One axial slice (114 of 137, counting up from the lowest) of a contrast-enhanced abdominal CT acquired with 120 kVp, kernel FC52; each pixel is 0.741 mm and the slice is 3.00 mm thick.
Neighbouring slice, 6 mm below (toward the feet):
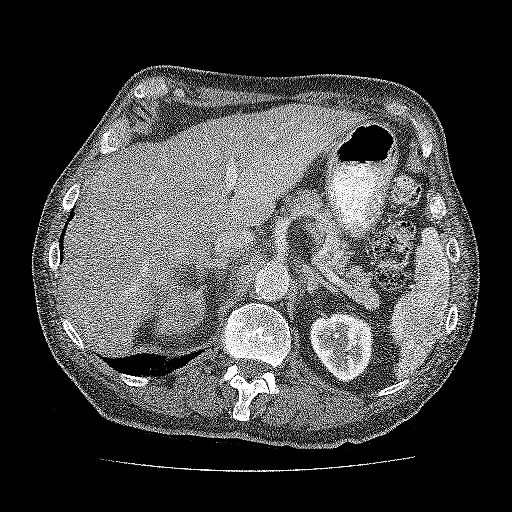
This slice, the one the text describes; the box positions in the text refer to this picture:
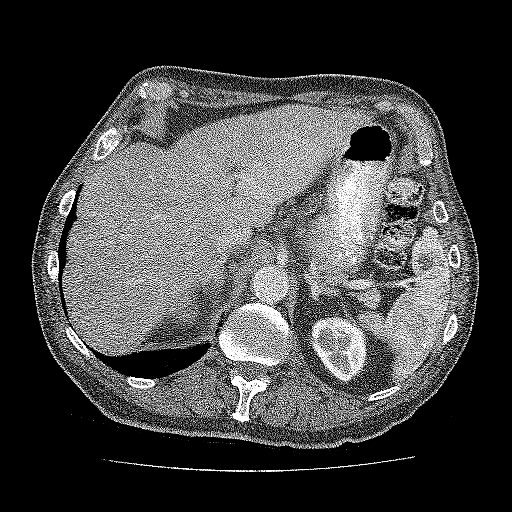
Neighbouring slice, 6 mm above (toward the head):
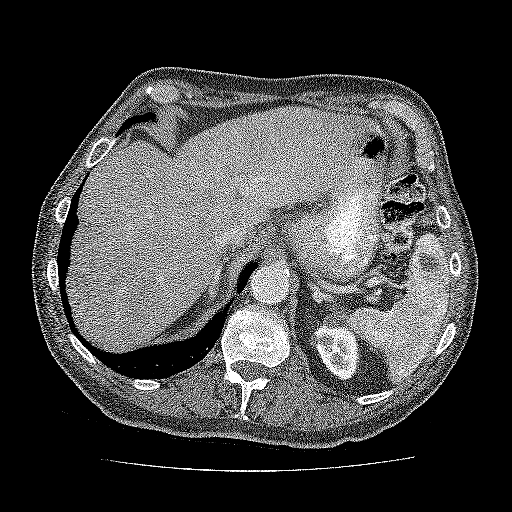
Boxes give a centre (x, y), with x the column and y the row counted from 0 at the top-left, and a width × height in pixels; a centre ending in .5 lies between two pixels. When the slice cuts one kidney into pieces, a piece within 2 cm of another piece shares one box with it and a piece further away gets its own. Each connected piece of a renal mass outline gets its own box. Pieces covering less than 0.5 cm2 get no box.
One kidney box and one renal mass box on this slice; by box centre, from the image's left to its right: (1) Box centre (184.5, 311.5), 28 × 24 pixels: renal mass (outlined area 491 px, about 2.7 cm2); here it is more than 1 cm from any kidney outline, though on another slice the same outlined renal mass lies within 1 cm of the kidney. (2) Box centre (338.5, 348.5), 58 × 68 pixels: kidney (outlined area 2,893 px, about 15.9 cm2). This slice is near the end of a renal mass toward the head, so the slices 6 mm below and 6 mm above it are shown as well; the boxes refer to this slice only.